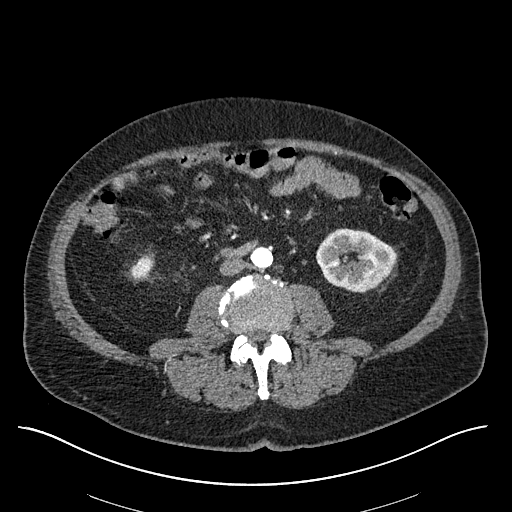
Abdominal CT with intravenous contrast, arterial phase, axial plane, 120 kVp, kernel I30f. Slice 248/670 from the bottom of the scan; thickness 1.00 mm; pixel size 0.861 mm.
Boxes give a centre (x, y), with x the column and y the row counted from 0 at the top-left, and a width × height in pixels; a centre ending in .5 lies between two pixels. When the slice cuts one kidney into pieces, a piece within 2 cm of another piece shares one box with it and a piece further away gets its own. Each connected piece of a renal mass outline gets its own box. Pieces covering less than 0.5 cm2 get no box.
Boxed on this slice (two kidney boxes), listed by box centre from the image's left to its right: (1) Box centre (141.5, 267.5), 24 × 24 pixels: right kidney (outlined area 412 px, about 3.1 cm2). (2) Left kidney, box centre (355.5, 260), 82 × 65 pixels (outlined area 3,808 px, about 28.3 cm2). This slice carries no renal mass outline.